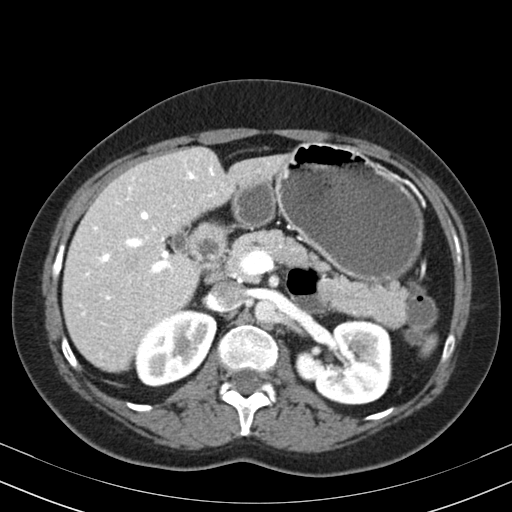
Arterial-phase contrast-enhanced abdominal CT, axial slice 122 of 164 (counted from the lowest slice); tube voltage 130 kVp, convolution kernel B30s; slices 3.00 mm thick, 0.664 mm per pixel.
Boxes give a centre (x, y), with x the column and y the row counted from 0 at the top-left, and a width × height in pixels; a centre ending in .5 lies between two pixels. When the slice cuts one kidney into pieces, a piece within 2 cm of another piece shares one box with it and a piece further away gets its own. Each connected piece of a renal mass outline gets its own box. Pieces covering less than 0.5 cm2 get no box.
Boxed on this slice (two kidney boxes), listed by box centre from the image's left to its right: (1) Box centre (175, 348), 85 × 77 pixels: right kidney (outlined area 4,501 px, about 19.8 cm2). (2) Left kidney, box centre (343.5, 361.5), 98 × 86 pixels (outlined area 6,289 px, about 27.7 cm2). No renal mass outline on this slice.